Abdominal CT with intravenous contrast, arterial phase, axial plane, 120 kVp, kernel B30f. Slice 214/581 from the bottom of the scan; thickness 1.00 mm; pixel size 0.713 mm.
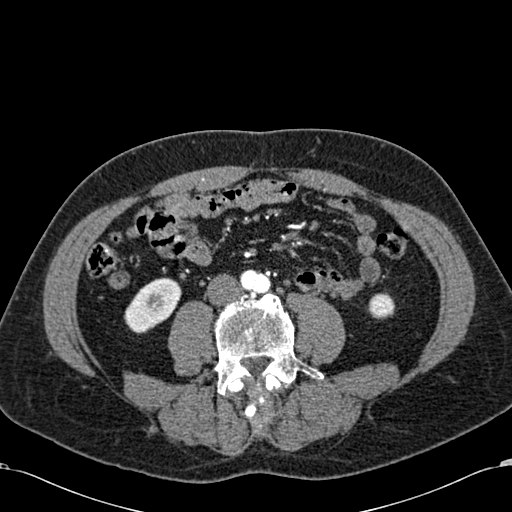
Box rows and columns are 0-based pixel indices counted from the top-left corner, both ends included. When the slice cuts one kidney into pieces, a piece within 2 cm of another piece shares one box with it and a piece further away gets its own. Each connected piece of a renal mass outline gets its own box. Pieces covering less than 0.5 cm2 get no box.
Boxed on this slice (two kidney boxes), listed by box centre from the image's left to its right: (1) Right kidney, box rows 277–333, columns 124–181 (outlined area 2,134 px, about 10.8 cm2). (2) Left kidney, box rows 292–319, columns 367–395 (outlined area 583 px, about 3.0 cm2). No renal mass is outlined on this slice.